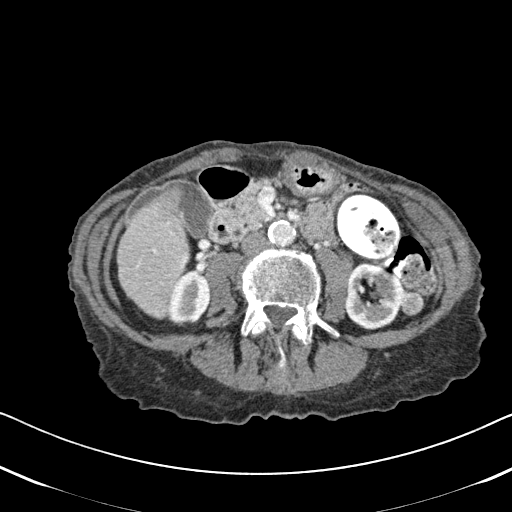
One axial slice (264 of 620, counting up from the lowest) of an arterial-phase abdominal CT acquired with 120 kVp, kernel B31f; each pixel is 0.637 mm and the slice is 2.00 mm thick.
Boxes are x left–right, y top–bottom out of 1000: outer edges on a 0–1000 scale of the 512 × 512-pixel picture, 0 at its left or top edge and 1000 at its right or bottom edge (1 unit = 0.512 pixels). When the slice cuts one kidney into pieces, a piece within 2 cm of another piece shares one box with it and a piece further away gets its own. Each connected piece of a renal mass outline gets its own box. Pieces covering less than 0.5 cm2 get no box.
Two kidney boxes and one renal mass box on this slice; by box centre, from the image's left to its right: (1) Box x 326–412, y 525–637 out of 1000: right kidney (outlined area 1,833 px, about 7.4 cm2). (2) Box x 672–807, y 512–646 out of 1000: left kidney (outlined area 3,012 px, about 12.2 cm2). (3) Left renal mass, box x 781–830, y 568–619 out of 1000 (outlined area 497 px, about 2.0 cm2).